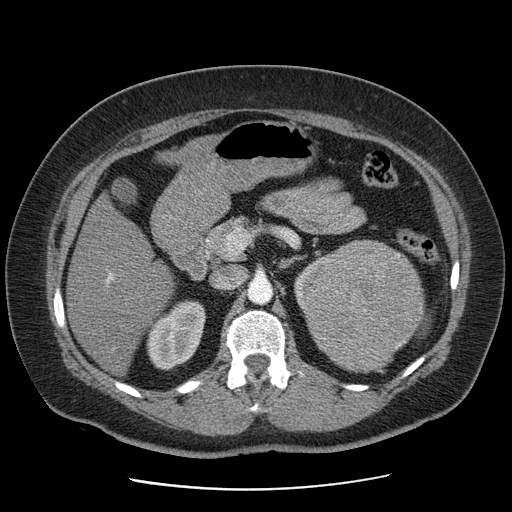
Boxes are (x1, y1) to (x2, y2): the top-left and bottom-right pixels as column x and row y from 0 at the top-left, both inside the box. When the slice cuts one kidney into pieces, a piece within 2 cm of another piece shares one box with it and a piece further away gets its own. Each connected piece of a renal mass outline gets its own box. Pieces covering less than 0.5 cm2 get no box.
Contrast-enhanced abdominal CT, axial slice 56 of 103 (counted from the lowest slice); 2.50 mm thick, 0.736 mm per pixel. Three kidney boxes and one renal mass box on this slice; by box centre, from the image's left to its right: (1) Box (146, 300) to (205, 369): right kidney (outlined area 2,983 px, about 16.2 cm2). (2) Left kidney (one of two boxed parts), box (294, 254) to (327, 312) (outlined area 604 px, about 3.3 cm2). (3) Left renal mass, box (304, 239) to (424, 373) (outlined area 12,010 px, about 65.1 cm2). (4) Left kidney (one of two boxed parts) from (398, 299) to (425, 349) (outlined area 244 px, about 1.3 cm2).
Acquired at 120 kVp and reconstructed with the STANDARD kernel.